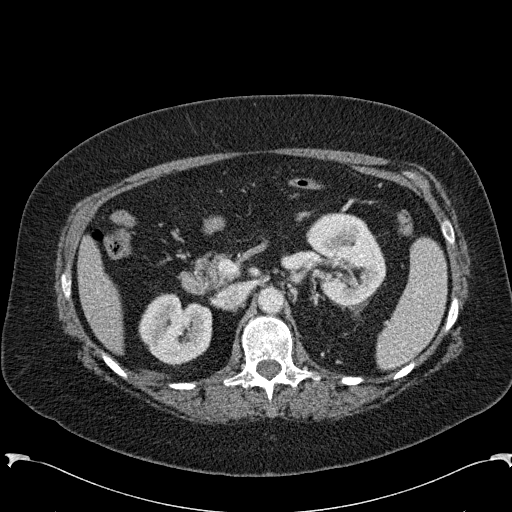
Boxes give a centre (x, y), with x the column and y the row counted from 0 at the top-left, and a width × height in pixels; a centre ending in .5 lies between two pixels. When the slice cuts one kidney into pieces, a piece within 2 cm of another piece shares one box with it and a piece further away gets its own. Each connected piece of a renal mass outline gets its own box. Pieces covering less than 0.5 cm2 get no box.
Slice 152/285 of a contrast-enhanced abdominal CT in the arterial phase, counting up from the lowest; pixel size 0.762 mm, slice thickness 2.00 mm. Two kidney boxes on this slice; by box centre, from the image's left to its right: (1) Right kidney, box centre (175, 329.5), 75 × 74 pixels (outlined area 4,019 px, about 23.3 cm2). (2) Box centre (346, 259), 81 × 95 pixels: left kidney (outlined area 5,580 px, about 32.4 cm2). No renal mass is outlined on this slice.
Acquired at 120 kVp and reconstructed with the B31f kernel.